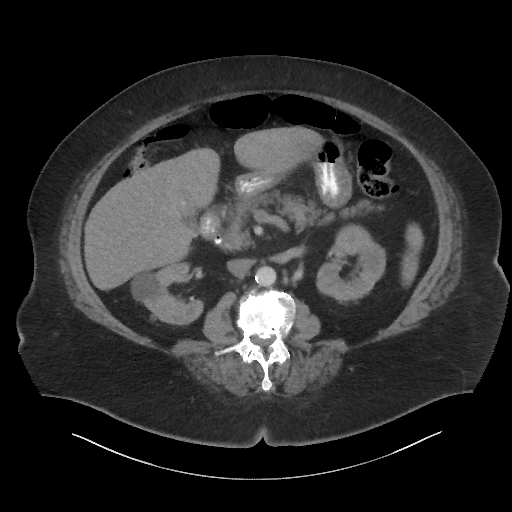
Abdominal CT with intravenous contrast, axial plane, 140 kVp, kernel I44f. Slice 36/86 from the bottom of the scan; thickness 3.00 mm; pixel size 0.977 mm.
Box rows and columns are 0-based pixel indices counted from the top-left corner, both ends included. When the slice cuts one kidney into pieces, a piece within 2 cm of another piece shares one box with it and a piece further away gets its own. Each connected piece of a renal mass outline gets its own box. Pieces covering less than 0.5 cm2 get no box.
Boxed on this slice (two kidney boxes), listed by box centre from the image's left to its right: (1) Box rows 263–325, columns 131–204: right kidney (outlined area 2,784 px, about 26.6 cm2). (2) Left kidney at rows 229–303, columns 316–385 (outlined area 3,570 px, about 34.0 cm2). No renal mass is outlined on this slice.